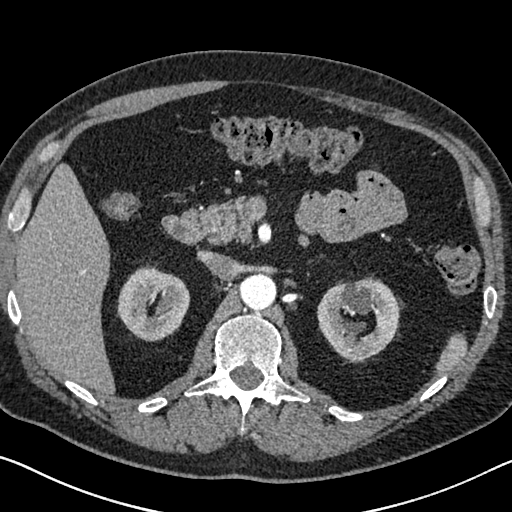
Axial slice 446 of 626 of a contrast-enhanced abdominal CT in the arterial phase (slice 1 is the lowest), 120 kVp, kernel I30f; 1.00 mm slice thickness and 0.703 mm pixels.
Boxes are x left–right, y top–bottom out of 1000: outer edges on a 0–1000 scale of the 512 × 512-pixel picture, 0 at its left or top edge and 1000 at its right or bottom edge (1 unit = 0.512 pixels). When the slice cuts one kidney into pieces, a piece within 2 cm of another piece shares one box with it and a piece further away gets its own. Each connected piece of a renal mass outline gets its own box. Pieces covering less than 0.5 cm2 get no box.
Boxed on this slice (two kidney boxes), listed by box centre from the image's left to its right: (1) Right kidney at x 229–373, y 520–668 out of 1000 (outlined area 4,028 px, about 19.9 cm2). (2) Left kidney at x 619–783, y 537–705 out of 1000 (outlined area 4,945 px, about 24.4 cm2). No renal mass outline on this slice.